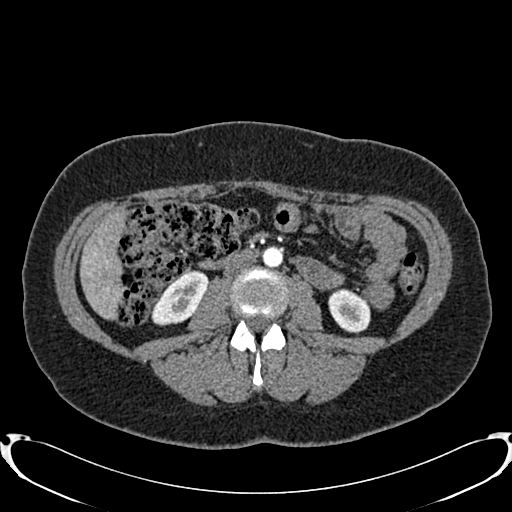
One axial slice (392 of 719, counting up from the lowest) of an arterial-phase abdominal CT acquired with 120 kVp, kernel B20f; each pixel is 0.766 mm and the slice is 1.00 mm thick.
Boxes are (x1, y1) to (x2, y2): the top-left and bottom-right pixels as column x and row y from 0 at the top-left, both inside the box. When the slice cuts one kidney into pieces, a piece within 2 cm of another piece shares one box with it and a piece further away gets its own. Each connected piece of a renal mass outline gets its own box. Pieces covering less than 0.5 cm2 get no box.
Two kidney boxes on this slice; by box centre, from the image's left to its right: (1) Box (151, 270) to (207, 325): right kidney (outlined area 2,030 px, about 11.9 cm2). (2) Left kidney, box (328, 288) to (370, 333) (outlined area 1,455 px, about 8.5 cm2). This slice carries no renal mass outline.